One axial slice (89 of 304, counting up from the lowest) of an arterial-phase abdominal CT acquired with 100 kVp, kernel I30f; each pixel is 0.809 mm and the slice is 2.00 mm thick.
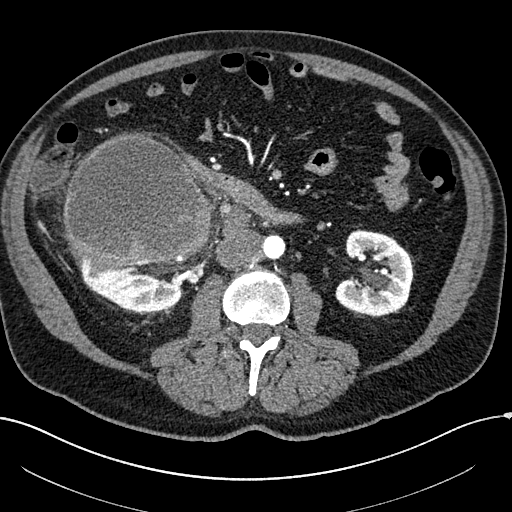
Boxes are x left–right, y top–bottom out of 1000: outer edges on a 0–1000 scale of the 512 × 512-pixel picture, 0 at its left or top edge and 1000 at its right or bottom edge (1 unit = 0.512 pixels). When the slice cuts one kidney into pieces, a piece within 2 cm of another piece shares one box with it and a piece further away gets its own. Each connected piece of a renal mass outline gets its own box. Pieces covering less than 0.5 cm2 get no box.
Three boxes on this slice (two kidney boxes and one renal mass box), listed by box centre from the image's left to its right. (1) Right kidney, box x 141–355, y 494–611 out of 1000 (outlined area 3,865 px, about 25.3 cm2). (2) Right renal mass at x 123–414, y 258–525 out of 1000 (outlined area 15,753 px, about 103.0 cm2). (3) Box x 654–809, y 447–621 out of 1000: left kidney (outlined area 4,948 px, about 32.4 cm2).